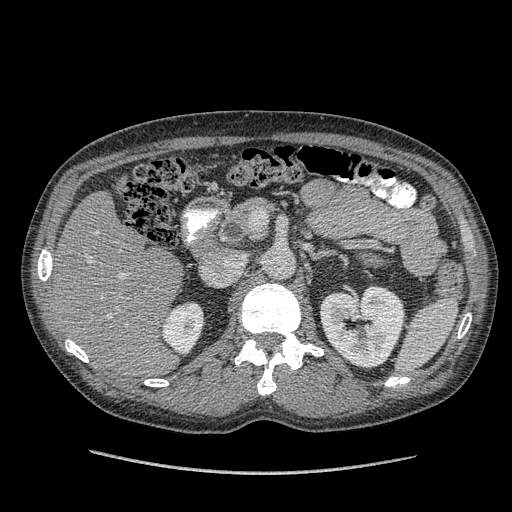
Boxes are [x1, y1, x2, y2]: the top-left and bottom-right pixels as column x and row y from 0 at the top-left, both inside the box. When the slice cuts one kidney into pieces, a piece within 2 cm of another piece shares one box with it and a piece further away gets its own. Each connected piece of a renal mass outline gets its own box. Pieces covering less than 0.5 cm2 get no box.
Slice 235/349 of a contrast-enhanced abdominal CT in the arterial phase, counting up from the lowest; pixel size 0.742 mm, slice thickness 1.25 mm. Two boxes on this slice (two kidney boxes), listed by box centre from the image's left to its right. (1) Right kidney at [161, 301, 205, 354] (outlined area 1,750 px, about 9.6 cm2). (2) Left kidney, box [320, 284, 404, 368] (outlined area 5,418 px, about 29.8 cm2). No renal mass outline on this slice.
Acquired at 120 kVp and reconstructed with the STANDARD kernel.